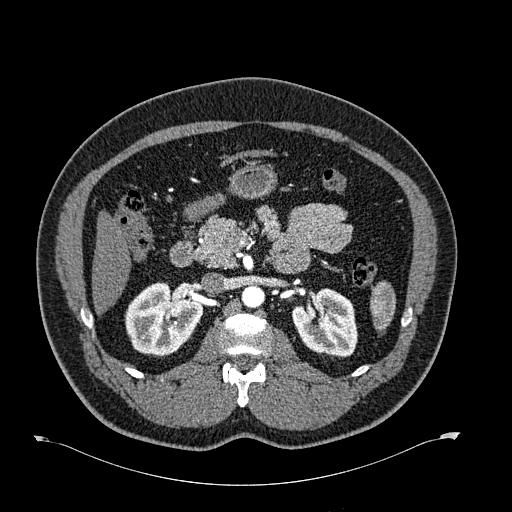
Axial slice 399 of 723 of a contrast-enhanced abdominal CT in the arterial phase (slice 1 is the lowest), 120 kVp, kernel B30f; 1.00 mm slice thickness and 0.895 mm pixels.
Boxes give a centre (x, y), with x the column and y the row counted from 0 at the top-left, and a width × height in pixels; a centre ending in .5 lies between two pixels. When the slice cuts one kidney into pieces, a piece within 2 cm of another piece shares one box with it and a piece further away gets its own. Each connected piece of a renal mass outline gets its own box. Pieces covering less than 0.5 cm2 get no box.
Two kidney boxes on this slice; by box centre, from the image's left to its right: (1) Right kidney in a box with centre (163.5, 319.5), 80 × 76 pixels (outlined area 4,272 px, about 34.2 cm2). (2) Left kidney in a box with centre (324.5, 322), 66 × 71 pixels (outlined area 3,449 px, about 27.6 cm2). This slice carries no renal mass outline.